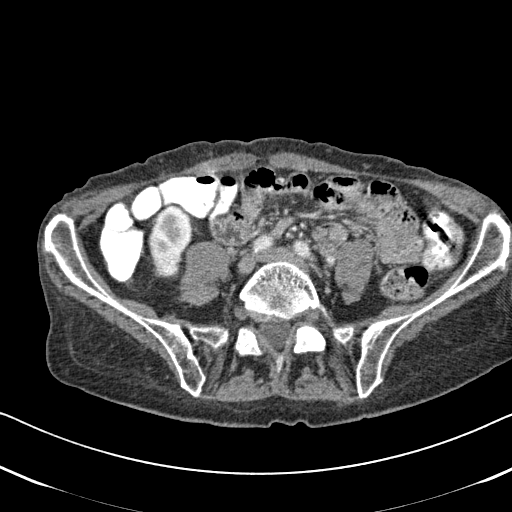
Arterial-phase contrast-enhanced abdominal CT, axial slice 218 of 620 (counted from the lowest slice); tube voltage 120 kVp, convolution kernel B31f; slices 2.00 mm thick, 0.637 mm per pixel.
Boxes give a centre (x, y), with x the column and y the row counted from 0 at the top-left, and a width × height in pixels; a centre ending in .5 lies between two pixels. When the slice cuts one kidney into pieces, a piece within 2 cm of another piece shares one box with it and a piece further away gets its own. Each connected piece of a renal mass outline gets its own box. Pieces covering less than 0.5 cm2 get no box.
Right kidney, box centre (170, 241), 45 × 75 pixels (outlined area 2,543 px, about 10.3 cm2). This slice carries no renal mass outline.